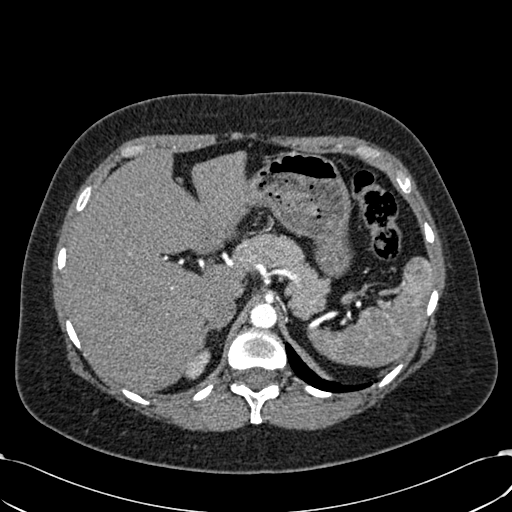
Abdominal CT with intravenous contrast, arterial phase, axial plane, 120 kVp, kernel B30f. Slice 461/532 from the bottom of the scan; thickness 1.00 mm; pixel size 0.713 mm.
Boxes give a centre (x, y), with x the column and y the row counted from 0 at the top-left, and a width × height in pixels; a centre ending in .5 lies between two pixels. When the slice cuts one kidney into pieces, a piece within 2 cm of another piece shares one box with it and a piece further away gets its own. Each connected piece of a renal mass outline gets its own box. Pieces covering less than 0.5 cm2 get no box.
Right kidney in a box with centre (197, 363), 27 × 31 pixels (outlined area 452 px, about 2.3 cm2). No renal mass is outlined on this slice.